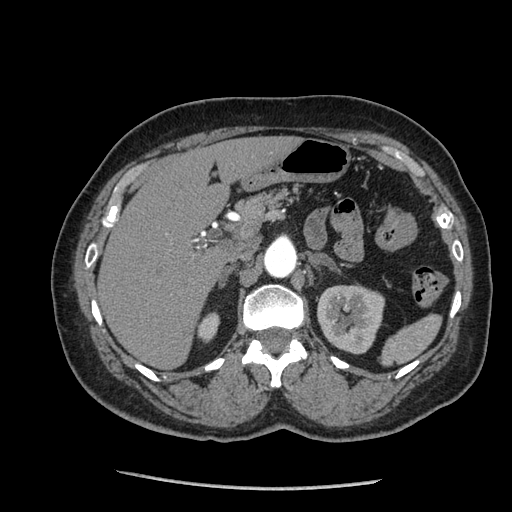
One axial slice (150 of 233, counting up from the lowest) of an arterial-phase abdominal CT acquired with 120 kVp, kernel STANDARD; each pixel is 0.703 mm and the slice is 1.25 mm thick.
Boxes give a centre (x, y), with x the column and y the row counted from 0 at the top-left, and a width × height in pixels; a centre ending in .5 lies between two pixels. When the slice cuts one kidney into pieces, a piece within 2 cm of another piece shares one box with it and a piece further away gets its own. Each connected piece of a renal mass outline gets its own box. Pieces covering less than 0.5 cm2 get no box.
Two kidney boxes on this slice; by box centre, from the image's left to its right: (1) Right kidney in a box with centre (208, 327), 25 × 33 pixels (outlined area 529 px, about 2.6 cm2). (2) Left kidney in a box with centre (350.5, 318.5), 68 × 72 pixels (outlined area 3,744 px, about 18.5 cm2). No renal mass outline on this slice.